Abdominal CT with intravenous contrast, arterial phase, axial plane, 120 kVp, kernel B31f. Slice 91/326 from the bottom of the scan; thickness 2.00 mm; pixel size 0.963 mm.
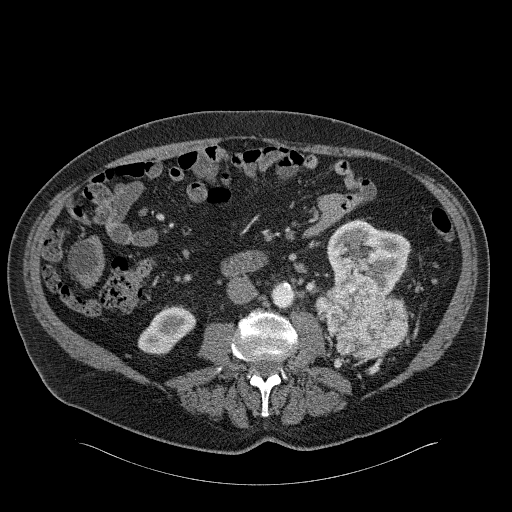
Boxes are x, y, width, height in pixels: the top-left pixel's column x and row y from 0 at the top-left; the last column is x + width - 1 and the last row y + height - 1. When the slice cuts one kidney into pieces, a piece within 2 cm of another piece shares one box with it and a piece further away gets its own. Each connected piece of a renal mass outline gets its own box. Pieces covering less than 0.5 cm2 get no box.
Three boxes on this slice (two kidney boxes and one renal mass box), listed by box centre from the image's left to its right. (1) Right kidney at x 138, y 306, width 58, height 50 (outlined area 1,844 px, about 17.1 cm2). (2) Left renal mass at x 315, y 275, width 93, height 85 (outlined area 5,430 px, about 50.3 cm2). (3) Left kidney at x 327, y 220, width 84, height 75 (outlined area 4,292 px, about 39.8 cm2).